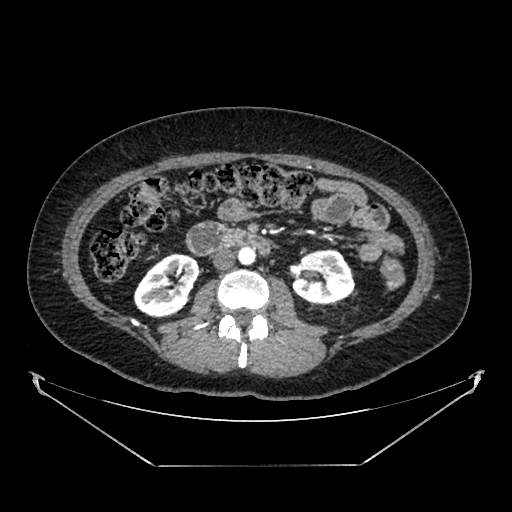
Axial slice 211 of 383 of a contrast-enhanced abdominal CT in the arterial phase (slice 1 is the lowest), 100 kVp, kernel SOFT; 1.25 mm slice thickness and 0.898 mm pixels.
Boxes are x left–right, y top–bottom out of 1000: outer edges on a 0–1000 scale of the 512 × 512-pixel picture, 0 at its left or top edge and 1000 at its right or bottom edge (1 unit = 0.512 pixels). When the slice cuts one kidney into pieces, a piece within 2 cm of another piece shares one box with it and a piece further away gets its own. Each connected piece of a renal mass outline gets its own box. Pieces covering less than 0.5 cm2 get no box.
Two boxes on this slice (two kidney boxes), listed by box centre from the image's left to its right. (1) Right kidney at x 260–391, y 494–623 out of 1000 (outlined area 3,002 px, about 24.2 cm2). (2) Left kidney at x 568–695, y 486–596 out of 1000 (outlined area 2,711 px, about 21.9 cm2). No renal mass is outlined on this slice.